Contrast-enhanced abdominal CT, axial slice 40 of 142 (counted from the lowest slice); tube voltage 100 kVp, convolution kernel I30f; slices 5.00 mm thick, 0.855 mm per pixel.
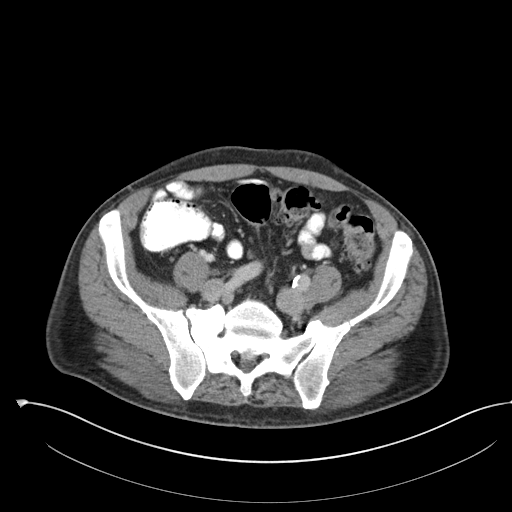
This slice carries no outline: it lies beyond the outlined kidneys and beyond every outlined renal mass. Other organs are not outlined in this scan.